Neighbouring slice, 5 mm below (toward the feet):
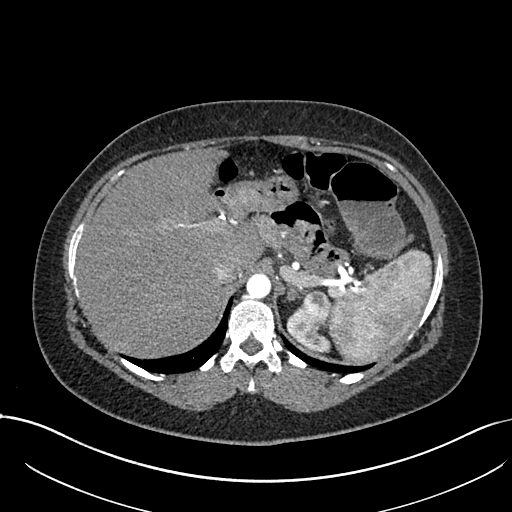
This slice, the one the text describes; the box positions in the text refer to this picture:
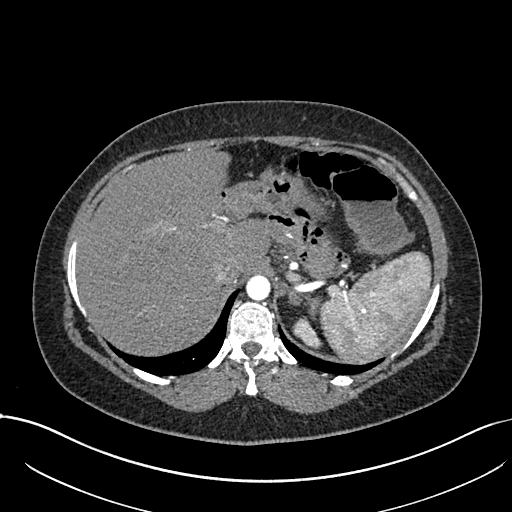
Abdominal CT with intravenous contrast, arterial phase, axial plane, 120 kVp, kernel I30f. Slice 575/738 from the bottom of the scan; thickness 1.00 mm; pixel size 0.789 mm.
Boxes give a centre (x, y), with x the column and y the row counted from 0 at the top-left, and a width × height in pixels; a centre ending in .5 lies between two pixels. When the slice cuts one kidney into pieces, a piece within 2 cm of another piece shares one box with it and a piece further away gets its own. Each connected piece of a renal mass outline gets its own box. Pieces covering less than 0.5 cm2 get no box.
One kidney box and one renal mass box on this slice; by box centre, from the image's left to its right: (1) Left kidney in a box with centre (307, 332.5), 31 × 34 pixels (outlined area 552 px, about 3.4 cm2). (2) Left renal mass, box centre (314, 307.5), 17 × 24 pixels (outlined area 251 px, about 1.6 cm2). This slice lies near the end of the left renal mass toward the head; the slice 5 mm below it is shown too, and the boxes mark positions on this slice only.